Abdominal CT with intravenous contrast, arterial phase, axial plane, 100 kVp, kernel I30f. Slice 52/304 from the bottom of the scan; thickness 2.00 mm; pixel size 0.809 mm.
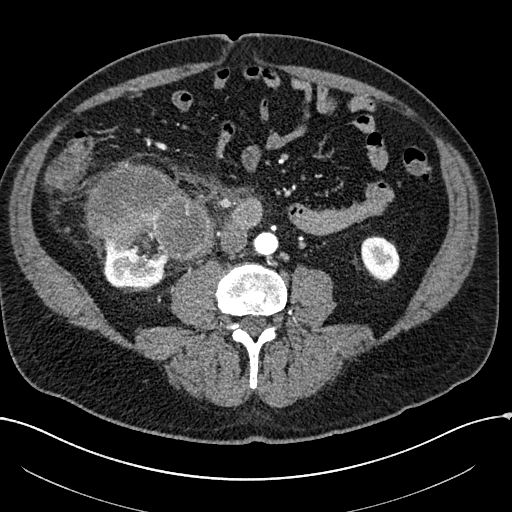
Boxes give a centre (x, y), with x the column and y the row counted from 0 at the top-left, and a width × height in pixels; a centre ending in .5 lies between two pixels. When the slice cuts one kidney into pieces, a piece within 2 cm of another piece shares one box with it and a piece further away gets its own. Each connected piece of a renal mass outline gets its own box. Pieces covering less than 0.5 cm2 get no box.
Two kidney boxes and one renal mass box on this slice; by box centre, from the image's left to its right: (1) Right kidney in a box with centre (137, 260), 69 × 57 pixels (outlined area 2,808 px, about 18.4 cm2). (2) Right renal mass in a box with centre (150, 212), 131 × 101 pixels (outlined area 8,446 px, about 55.2 cm2). (3) Box centre (380, 258.5), 39 × 46 pixels: left kidney (outlined area 1,402 px, about 9.2 cm2).